Abdominal CT with intravenous contrast, arterial phase, axial plane, 120 kVp, kernel B20f. Slice 405/553 from the bottom of the scan; thickness 1.00 mm; pixel size 0.773 mm.
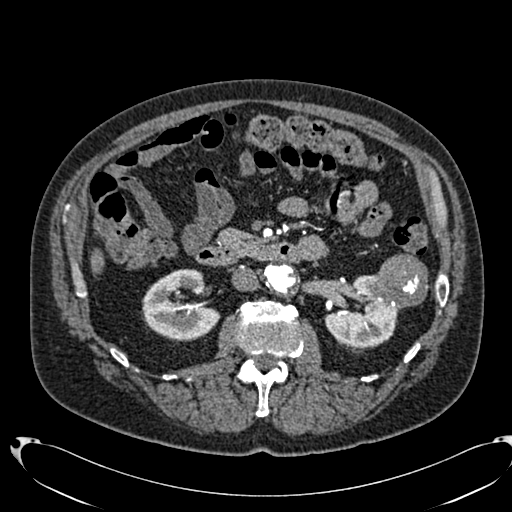
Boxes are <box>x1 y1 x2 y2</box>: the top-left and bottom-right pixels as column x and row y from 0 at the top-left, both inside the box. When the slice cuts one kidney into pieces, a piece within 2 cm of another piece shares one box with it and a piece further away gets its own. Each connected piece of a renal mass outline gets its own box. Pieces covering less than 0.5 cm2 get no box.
Two kidney boxes and one renal mass box on this slice; by box centre, from the image's left to its right: (1) Right kidney: <box>142 269 220 341</box> (outlined area 3,910 px, about 23.4 cm2). (2) Left kidney at <box>324 275 398 349</box> (outlined area 3,297 px, about 19.7 cm2). (3) Left renal mass: <box>368 253 428 309</box> (outlined area 2,505 px, about 15.0 cm2).